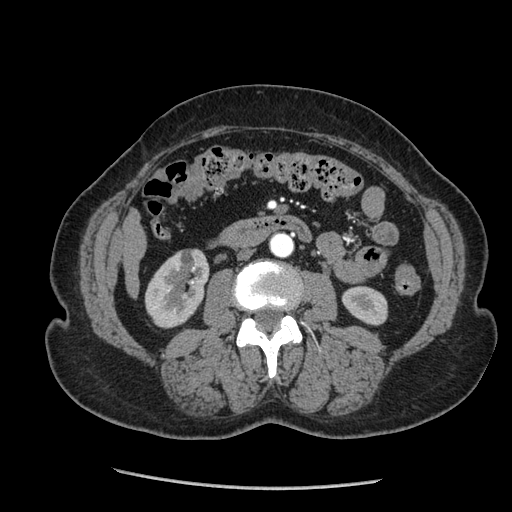
One axial slice (101 of 233, counting up from the lowest) of an arterial-phase abdominal CT acquired with 120 kVp, kernel STANDARD; each pixel is 0.703 mm and the slice is 1.25 mm thick.
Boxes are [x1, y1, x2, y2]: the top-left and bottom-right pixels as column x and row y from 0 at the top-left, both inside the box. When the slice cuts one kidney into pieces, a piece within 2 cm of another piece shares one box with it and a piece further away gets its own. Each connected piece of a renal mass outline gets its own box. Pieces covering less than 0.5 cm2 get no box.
Boxed on this slice (two kidney boxes), listed by box centre from the image's left to its right: (1) Box [144, 248, 209, 328]: right kidney (outlined area 3,755 px, about 18.6 cm2). (2) Left kidney at [341, 285, 387, 325] (outlined area 1,403 px, about 6.9 cm2). This slice carries no renal mass outline.